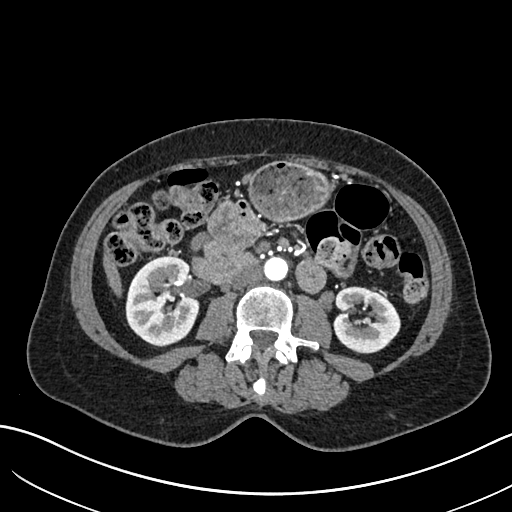
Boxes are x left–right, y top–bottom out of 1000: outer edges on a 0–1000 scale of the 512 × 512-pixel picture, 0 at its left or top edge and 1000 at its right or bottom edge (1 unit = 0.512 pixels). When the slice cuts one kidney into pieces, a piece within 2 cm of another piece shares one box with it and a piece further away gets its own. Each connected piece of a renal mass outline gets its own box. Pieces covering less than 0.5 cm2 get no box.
Slice 327/683 of a contrast-enhanced abdominal CT in the arterial phase, counting up from the lowest; pixel size 0.738 mm, slice thickness 1.00 mm. Boxed on this slice (two kidney boxes), listed by box centre from the image's left to its right: (1) Right kidney, box x 244–391, y 500–678 out of 1000 (outlined area 5,267 px, about 28.7 cm2). (2) Left kidney at x 648–783, y 559–691 out of 1000 (outlined area 3,443 px, about 18.8 cm2). No renal mass outline on this slice.
Tube voltage 120 kVp; convolution kernel I30f.